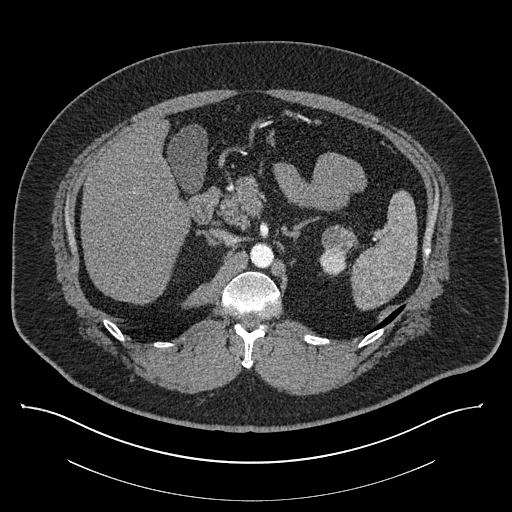
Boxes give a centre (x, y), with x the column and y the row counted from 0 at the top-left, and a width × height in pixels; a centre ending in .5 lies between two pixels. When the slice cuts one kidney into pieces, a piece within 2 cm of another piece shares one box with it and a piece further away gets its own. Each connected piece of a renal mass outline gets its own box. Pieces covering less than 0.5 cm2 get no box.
Slice 560/787 of a contrast-enhanced abdominal CT, counting up from the lowest; pixel size 0.910 mm, slice thickness 1.00 mm. Boxed on this slice (one kidney box and one renal mass box), listed by box centre from the image's left to its right: (1) Box centre (332, 262), 29 × 27 pixels: left kidney (outlined area 520 px, about 4.3 cm2). (2) Left renal mass in a box with centre (337.5, 239.5), 34 × 30 pixels (outlined area 767 px, about 6.4 cm2).
Acquired at 140 kVp and reconstructed with the I30f kernel.